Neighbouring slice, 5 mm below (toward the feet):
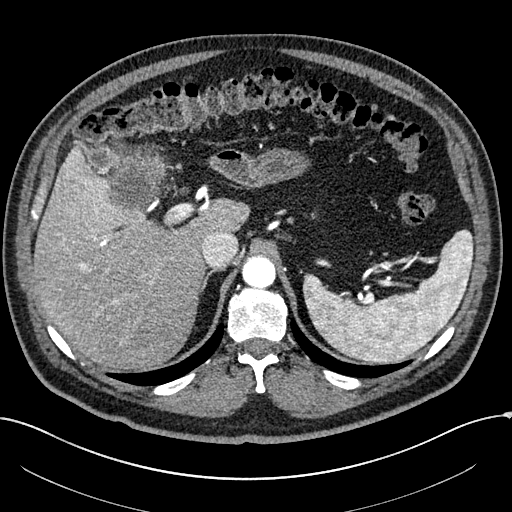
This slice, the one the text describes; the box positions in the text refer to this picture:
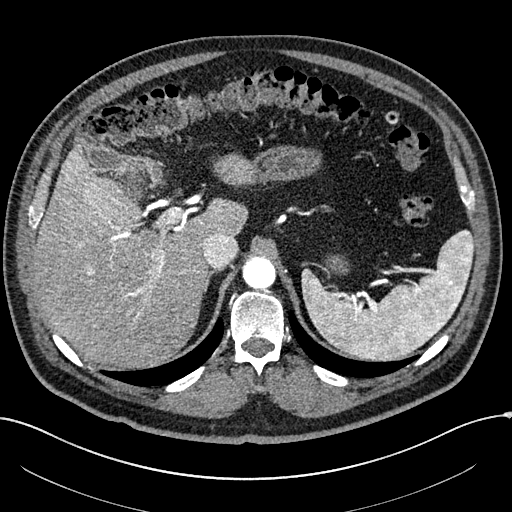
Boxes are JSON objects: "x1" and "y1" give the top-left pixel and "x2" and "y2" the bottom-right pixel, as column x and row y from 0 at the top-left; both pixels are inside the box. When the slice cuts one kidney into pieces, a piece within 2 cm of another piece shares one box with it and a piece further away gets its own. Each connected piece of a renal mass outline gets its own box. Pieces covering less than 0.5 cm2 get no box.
This is axial slice 198 of 304 (slice 1 is the lowest) of an arterial-phase abdominal CT with contrast; each pixel is 0.809 mm and the slice is 2.00 mm thick. Box {"x1": 122, "y1": 165, "x2": 149, "y2": 203}: right renal mass (outlined area 759 px, about 5.0 cm2); no kidney is outlined on this slice, but the same outlined renal mass comes within 1 cm of the kidney on another slice. This slice lies near the end of the right renal mass toward the head; the slice 5 mm below it is shown too, and the boxes mark positions on this slice only.
Tube voltage 100 kVp; convolution kernel I30f.